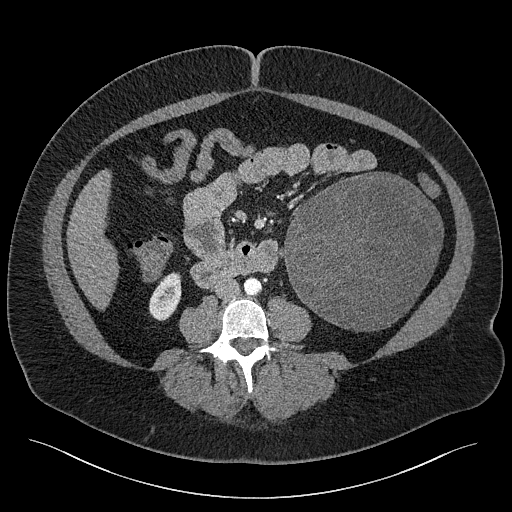
Abdominal CT with intravenous contrast, axial plane, 120 kVp, kernel I40f. Slice 88/301 from the bottom of the scan; thickness 2.00 mm; pixel size 0.859 mm.
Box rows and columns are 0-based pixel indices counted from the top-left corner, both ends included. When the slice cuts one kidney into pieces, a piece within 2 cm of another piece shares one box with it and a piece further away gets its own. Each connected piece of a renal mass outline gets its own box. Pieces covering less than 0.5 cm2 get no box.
One kidney box and one renal mass box on this slice; by box centre, from the image's left to its right: (1) Right kidney, box rows 272–320, columns 149–181 (outlined area 1,154 px, about 8.5 cm2). (2) Left renal mass at rows 172–331, columns 283–443 (outlined area 19,278 px, about 142.4 cm2); here it is more than 1 cm from any kidney outline, though on another slice the same outlined renal mass lies within 1 cm of the kidney.